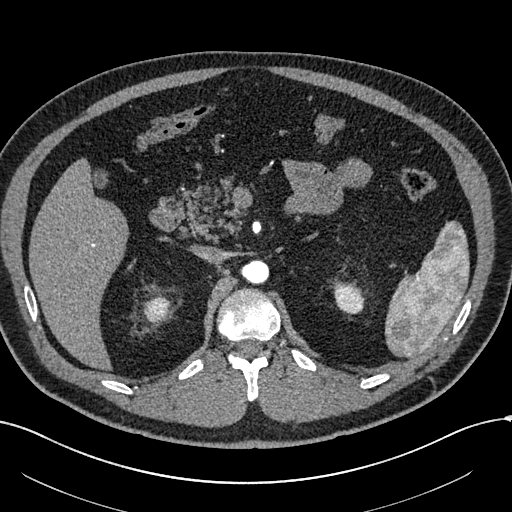
Axial slice 414 of 602 of a contrast-enhanced abdominal CT in the arterial phase (slice 1 is the lowest), 120 kVp, kernel I30f; 1.00 mm slice thickness and 0.799 mm pixels.
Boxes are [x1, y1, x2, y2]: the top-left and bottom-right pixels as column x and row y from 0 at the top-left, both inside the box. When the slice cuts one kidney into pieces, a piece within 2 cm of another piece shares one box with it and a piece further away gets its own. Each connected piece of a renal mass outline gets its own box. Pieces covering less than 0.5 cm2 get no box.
Boxed on this slice (two kidney boxes), listed by box centre from the image's left to its right: (1) Right kidney at [142, 295, 170, 323] (outlined area 623 px, about 4.0 cm2). (2) Box [333, 282, 364, 314]: left kidney (outlined area 772 px, about 4.9 cm2). This slice carries no renal mass outline.